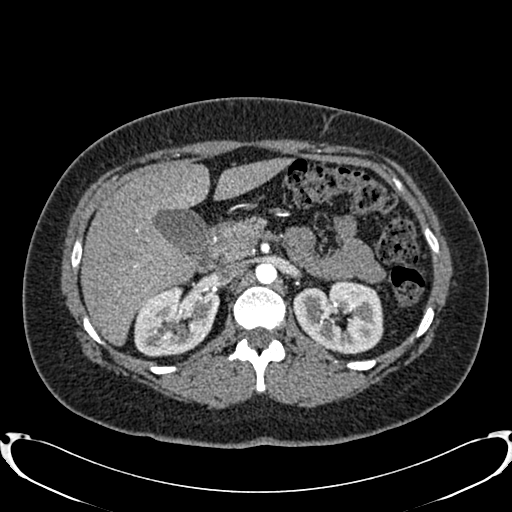
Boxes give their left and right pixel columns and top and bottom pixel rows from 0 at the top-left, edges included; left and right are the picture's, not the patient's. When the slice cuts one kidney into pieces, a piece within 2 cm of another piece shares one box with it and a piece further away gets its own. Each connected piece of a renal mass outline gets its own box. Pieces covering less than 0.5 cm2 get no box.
This is axial slice 526 of 719 (slice 1 is the lowest) of an arterial-phase abdominal CT with contrast; each pixel is 0.766 mm and the slice is 1.00 mm thick. Two kidney boxes on this slice; by box centre, from the image's left to its right: (1) Right kidney, the box with left 134, top 285, right 218, bottom 356 (outlined area 4,683 px, about 27.5 cm2). (2) Left kidney in the box with left 292, top 279, right 383, bottom 354 (outlined area 5,136 px, about 30.1 cm2). No renal mass is outlined on this slice.
Tube voltage 120 kVp; convolution kernel B20f.